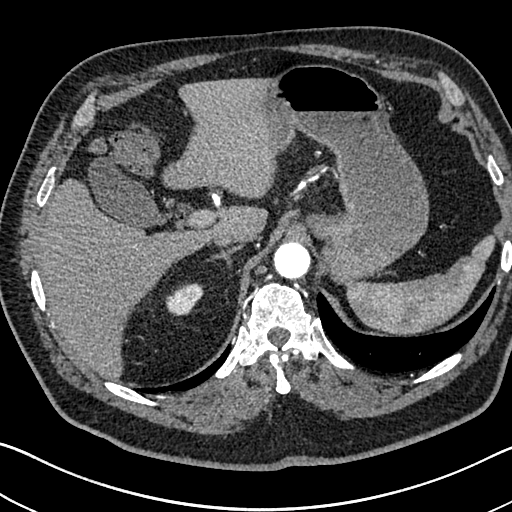
Abdominal CT with intravenous contrast, arterial phase, axial plane, 120 kVp, kernel I30f. Slice 557/705 from the bottom of the scan; thickness 1.00 mm; pixel size 0.703 mm.
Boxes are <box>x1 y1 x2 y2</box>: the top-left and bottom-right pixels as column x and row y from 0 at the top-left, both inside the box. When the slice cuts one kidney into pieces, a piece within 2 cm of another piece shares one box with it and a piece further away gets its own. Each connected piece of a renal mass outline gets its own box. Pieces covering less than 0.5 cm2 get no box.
Right kidney at <box>165 283 203 315</box> (outlined area 886 px, about 4.4 cm2). This slice carries no renal mass outline.